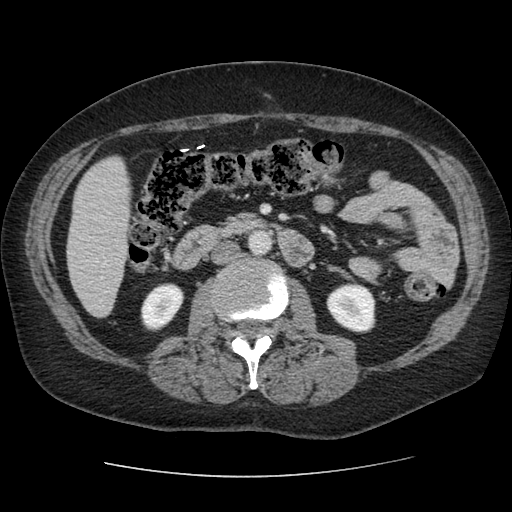
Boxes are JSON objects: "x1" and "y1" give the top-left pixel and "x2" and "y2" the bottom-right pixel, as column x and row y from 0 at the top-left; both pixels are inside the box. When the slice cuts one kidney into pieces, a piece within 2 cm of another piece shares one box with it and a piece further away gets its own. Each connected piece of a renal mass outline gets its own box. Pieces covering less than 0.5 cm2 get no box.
Arterial-phase contrast-enhanced abdominal CT, axial slice 35 of 96 (counted from the lowest slice); 2.50 mm thick, 0.689 mm per pixel. Two kidney boxes on this slice; by box centre, from the image's left to its right: (1) Box {"x1": 140, "y1": 283, "x2": 184, "y2": 331}: right kidney (outlined area 1,535 px, about 7.3 cm2). (2) Left kidney at {"x1": 326, "y1": 284, "x2": 375, "y2": 333} (outlined area 1,950 px, about 9.3 cm2). No renal mass is outlined on this slice.
Tube voltage 120 kVp; convolution kernel STANDARD.